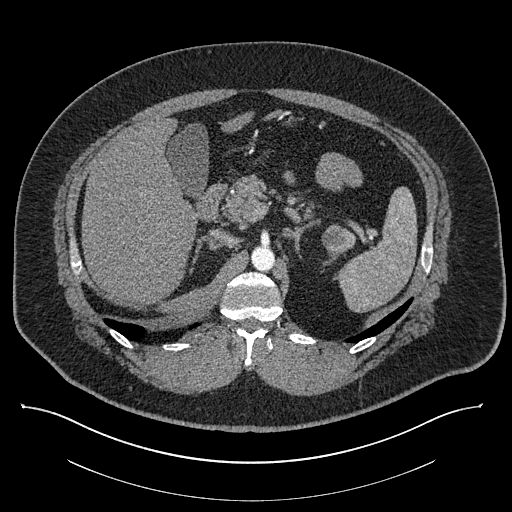
One axial slice (571 of 787, counting up from the lowest) of a contrast-enhanced abdominal CT acquired with 140 kVp, kernel I30f; each pixel is 0.910 mm and the slice is 1.00 mm thick.
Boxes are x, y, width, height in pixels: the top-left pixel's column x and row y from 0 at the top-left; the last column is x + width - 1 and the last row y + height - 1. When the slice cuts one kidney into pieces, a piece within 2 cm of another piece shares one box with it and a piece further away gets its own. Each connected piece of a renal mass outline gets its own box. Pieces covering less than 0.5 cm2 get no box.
Boxed on this slice (one kidney box and one renal mass box), listed by box centre from the image's left to its right: (1) Box x 327, y 250, width 18, height 13: left kidney (outlined area 101 px, about 0.8 cm2). (2) Left renal mass at x 321, y 224, width 36, height 28 (outlined area 723 px, about 6.0 cm2).